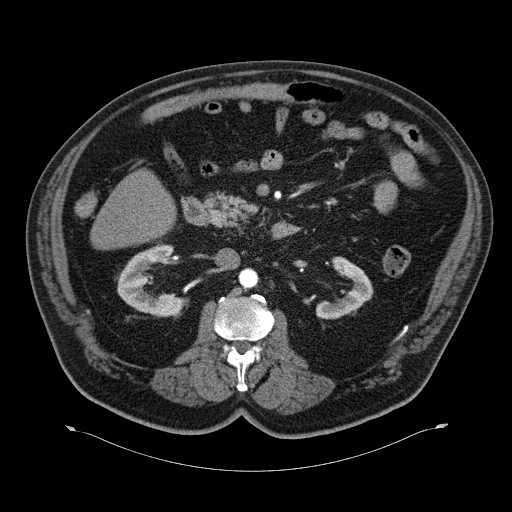
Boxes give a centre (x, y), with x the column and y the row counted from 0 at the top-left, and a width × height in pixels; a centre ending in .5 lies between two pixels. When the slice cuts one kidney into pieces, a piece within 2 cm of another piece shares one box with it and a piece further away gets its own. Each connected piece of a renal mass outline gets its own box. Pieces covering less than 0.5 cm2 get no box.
Arterial-phase contrast-enhanced abdominal CT, axial slice 33 of 70 (counted from the lowest slice); 5.00 mm thick, 0.977 mm per pixel. Two boxes on this slice (two kidney boxes), listed by box centre from the image's left to its right. (1) Box centre (150.5, 280), 70 × 75 pixels: right kidney (outlined area 2,855 px, about 27.2 cm2). (2) Left kidney, box centre (344.5, 287.5), 58 × 64 pixels (outlined area 1,792 px, about 17.1 cm2). No renal mass is outlined on this slice.
Tube voltage 120 kVp; convolution kernel B30f.